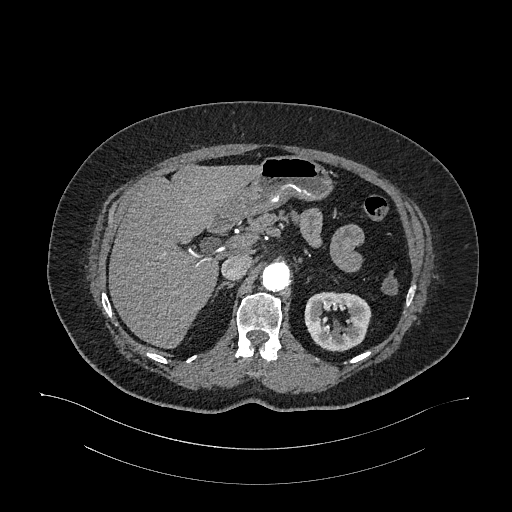
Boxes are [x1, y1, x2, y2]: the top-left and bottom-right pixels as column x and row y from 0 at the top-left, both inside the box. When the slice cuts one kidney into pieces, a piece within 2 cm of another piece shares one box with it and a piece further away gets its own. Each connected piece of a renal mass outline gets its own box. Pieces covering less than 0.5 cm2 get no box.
This is axial slice 739 of 987 (slice 1 is the lowest) of an arterial-phase abdominal CT with contrast; each pixel is 0.977 mm and the slice is 1.00 mm thick. Left kidney, box [304, 292, 371, 351] (outlined area 3,009 px, about 28.7 cm2). This slice carries no renal mass outline.
Scan settings: 120 kVp, I26f reconstruction kernel.